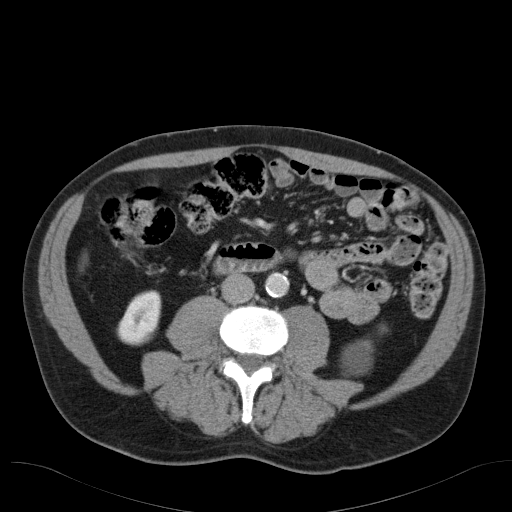
One axial slice (57 of 98, counting up from the lowest) of an arterial-phase abdominal CT acquired with 120 kVp, kernel B31f; each pixel is 0.764 mm and the slice is 5.00 mm thick.
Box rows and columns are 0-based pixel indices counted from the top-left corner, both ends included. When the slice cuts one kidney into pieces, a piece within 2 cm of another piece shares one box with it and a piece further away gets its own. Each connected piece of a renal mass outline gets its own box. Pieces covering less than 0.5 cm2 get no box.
Two boxes on this slice (two kidney boxes), listed by box centre from the image's left to its right. (1) Box rows 290–345, columns 116–161: right kidney (outlined area 1,816 px, about 10.6 cm2). (2) Left kidney at rows 340–376, columns 342–372 (outlined area 877 px, about 5.1 cm2). This slice carries no renal mass outline.